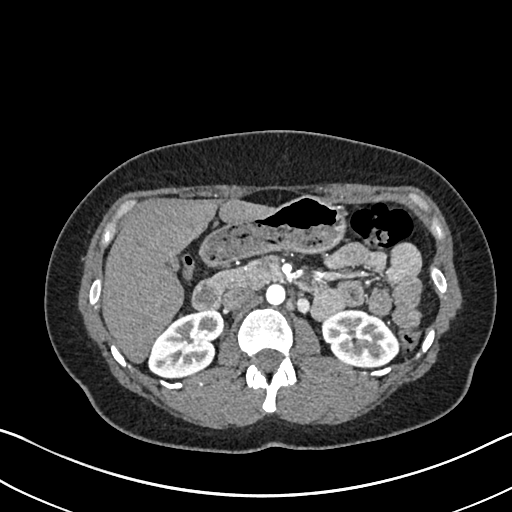
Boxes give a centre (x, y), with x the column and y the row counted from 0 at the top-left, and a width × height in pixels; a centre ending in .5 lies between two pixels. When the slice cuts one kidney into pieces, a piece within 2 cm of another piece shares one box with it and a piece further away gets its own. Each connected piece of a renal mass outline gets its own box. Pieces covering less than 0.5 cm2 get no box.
This is axial slice 419 of 612 (slice 1 is the lowest) of an arterial-phase abdominal CT with contrast; each pixel is 0.703 mm and the slice is 1.00 mm thick. Boxed on this slice (two kidney boxes), listed by box centre from the image's left to its right: (1) Right kidney in a box with centre (185.5, 343.5), 78 × 70 pixels (outlined area 3,722 px, about 18.4 cm2). (2) Left kidney, box centre (360, 338.5), 79 × 62 pixels (outlined area 3,483 px, about 17.2 cm2). No renal mass is outlined on this slice.
Scan settings: 120 kVp, I30f reconstruction kernel.